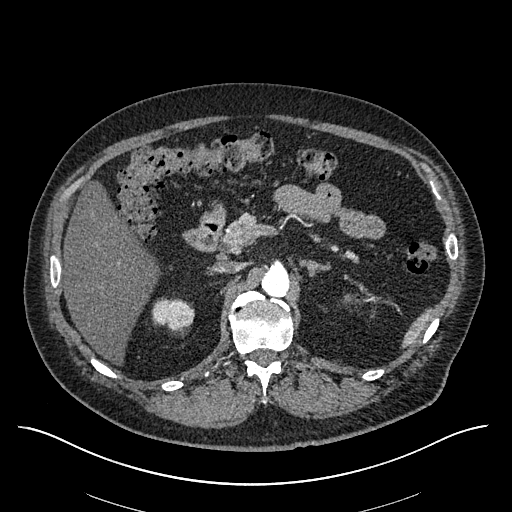
Axial slice 398 of 670 of a contrast-enhanced abdominal CT in the arterial phase (slice 1 is the lowest), 120 kVp, kernel I30f; 1.00 mm slice thickness and 0.861 mm pixels.
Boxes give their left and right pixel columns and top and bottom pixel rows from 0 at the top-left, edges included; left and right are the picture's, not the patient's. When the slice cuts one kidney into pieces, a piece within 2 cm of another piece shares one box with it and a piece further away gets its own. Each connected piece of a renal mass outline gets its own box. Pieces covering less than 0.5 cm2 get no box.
Right kidney in the box with left 151, top 297, right 193, bottom 330 (outlined area 1,067 px, about 7.9 cm2). No renal mass outline on this slice.